Axial slice 420 of 553 of a contrast-enhanced abdominal CT in the arterial phase (slice 1 is the lowest), 120 kVp, kernel B20f; 1.00 mm slice thickness and 0.773 mm pixels.
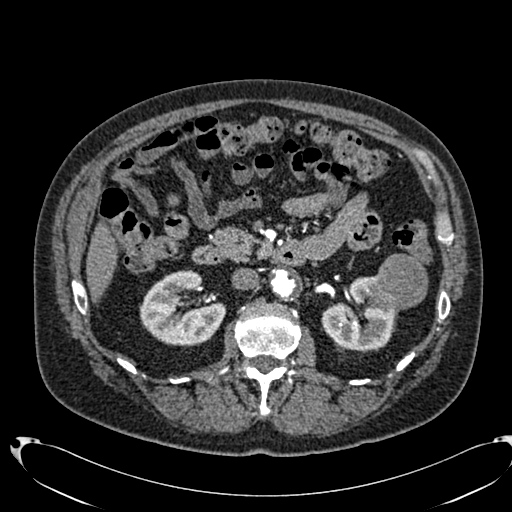
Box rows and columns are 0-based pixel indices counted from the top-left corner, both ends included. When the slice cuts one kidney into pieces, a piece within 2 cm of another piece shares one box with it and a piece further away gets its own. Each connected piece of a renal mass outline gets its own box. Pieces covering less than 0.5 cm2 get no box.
Boxed on this slice (two kidney boxes and one renal mass box), listed by box centre from the image's left to its right: (1) Box rows 270–346, columns 139–225: right kidney (outlined area 4,572 px, about 27.3 cm2). (2) Left kidney at rows 275–351, columns 321–399 (outlined area 3,591 px, about 21.5 cm2). (3) Left renal mass at rows 253–309, columns 374–428 (outlined area 2,446 px, about 14.6 cm2).